Abdominal CT with intravenous contrast, arterial phase, axial plane, 120 kVp, kernel B20f. Slice 373/634 from the bottom of the scan; thickness 1.00 mm; pixel size 0.838 mm.
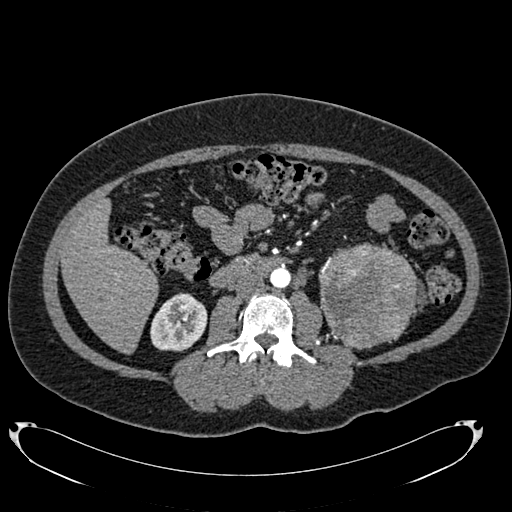
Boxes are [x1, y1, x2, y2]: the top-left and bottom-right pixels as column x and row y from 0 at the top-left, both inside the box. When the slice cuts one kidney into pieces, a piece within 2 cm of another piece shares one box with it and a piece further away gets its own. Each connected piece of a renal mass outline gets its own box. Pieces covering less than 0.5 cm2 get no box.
Two boxes on this slice (one kidney box and one renal mass box), listed by box centre from the image's left to its right. (1) Right kidney, box [150, 292, 207, 351] (outlined area 2,561 px, about 18.0 cm2). (2) Left renal mass, box [318, 242, 418, 349] (outlined area 8,311 px, about 58.3 cm2); on this slice it lies more than 1 cm from any kidney outline, but the same outlined renal mass comes within 1 cm of the kidney on another slice.